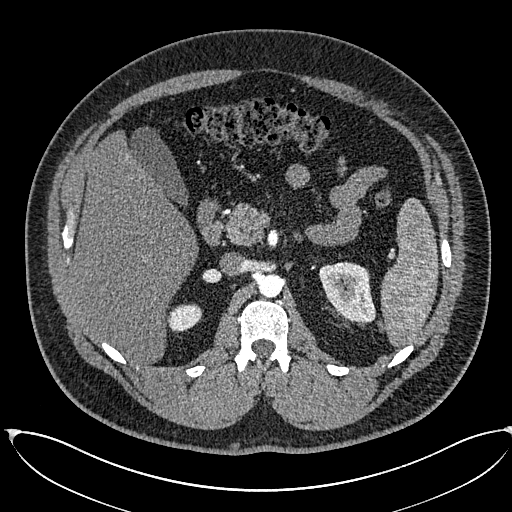
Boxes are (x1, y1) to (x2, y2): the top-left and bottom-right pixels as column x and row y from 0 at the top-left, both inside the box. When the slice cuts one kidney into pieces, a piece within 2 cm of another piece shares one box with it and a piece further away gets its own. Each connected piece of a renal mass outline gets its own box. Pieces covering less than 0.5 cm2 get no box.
This is axial slice 403 of 673 (slice 1 is the lowest) of an arterial-phase abdominal CT with contrast; each pixel is 0.855 mm and the slice is 1.00 mm thick. Two kidney boxes on this slice; by box centre, from the image's left to its right: (1) Box (167, 303) to (201, 332): right kidney (outlined area 768 px, about 5.6 cm2). (2) Box (319, 262) to (376, 322): left kidney (outlined area 2,529 px, about 18.5 cm2). This slice carries no renal mass outline.
Scan settings: 120 kVp, I30f reconstruction kernel.